Axial slice 329 of 553 of a contrast-enhanced abdominal CT in the arterial phase (slice 1 is the lowest), 120 kVp, kernel B20f; 1.00 mm slice thickness and 0.773 mm pixels.
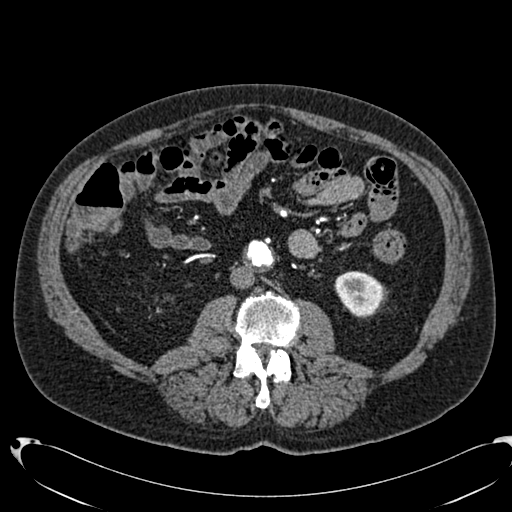
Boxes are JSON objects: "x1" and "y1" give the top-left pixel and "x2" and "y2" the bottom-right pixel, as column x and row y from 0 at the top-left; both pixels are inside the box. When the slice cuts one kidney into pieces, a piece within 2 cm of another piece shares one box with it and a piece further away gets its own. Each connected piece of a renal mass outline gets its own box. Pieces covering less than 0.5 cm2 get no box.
Box {"x1": 334, "y1": 271, "x2": 383, "y2": 316}: left kidney (outlined area 1,697 px, about 10.2 cm2). No renal mass is outlined on this slice.